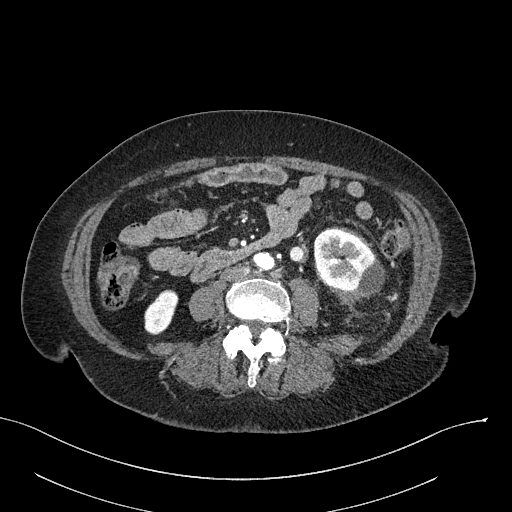
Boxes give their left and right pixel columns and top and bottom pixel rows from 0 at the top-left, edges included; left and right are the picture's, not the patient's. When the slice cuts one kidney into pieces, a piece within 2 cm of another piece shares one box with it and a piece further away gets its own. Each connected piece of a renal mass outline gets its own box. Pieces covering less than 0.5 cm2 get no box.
This is axial slice 88 of 316 (slice 1 is the lowest) of an arterial-phase abdominal CT with contrast; each pixel is 0.840 mm and the slice is 2.00 mm thick. Boxed on this slice (two kidney boxes), listed by box centre from the image's left to its right: (1) Right kidney, the box with left 144, top 289, right 178, bottom 335 (outlined area 1,094 px, about 7.7 cm2). (2) Box with left 313, top 229, right 385, bottom 294: left kidney (outlined area 3,483 px, about 24.6 cm2). This slice carries no renal mass outline.
Acquired at 100 kVp and reconstructed with the I40f kernel.